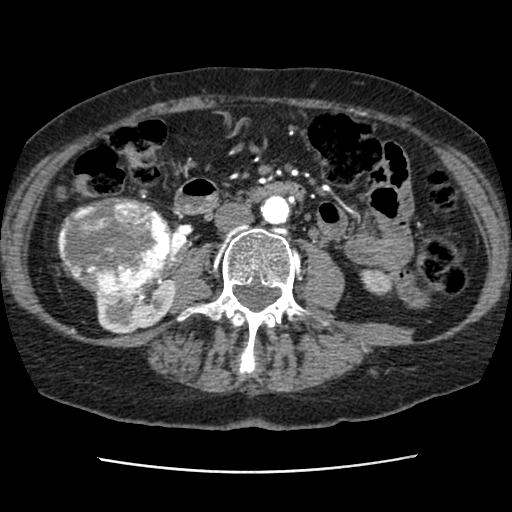
Contrast-enhanced abdominal CT, axial slice 33 of 76 (counted from the lowest slice); tube voltage 120 kVp, convolution kernel STANDARD; slices 2.50 mm thick, 0.586 mm per pixel.
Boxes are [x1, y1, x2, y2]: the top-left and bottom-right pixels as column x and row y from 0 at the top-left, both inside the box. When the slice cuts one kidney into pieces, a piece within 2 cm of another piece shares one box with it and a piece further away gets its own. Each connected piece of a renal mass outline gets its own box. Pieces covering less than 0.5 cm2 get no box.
Three boxes on this slice (two kidney boxes and one renal mass box), listed by box centre from the image's left to its right. (1) Box [57, 197, 170, 299]: right renal mass (outlined area 9,189 px, about 31.5 cm2). (2) Right kidney at [93, 256, 174, 333] (outlined area 2,776 px, about 9.5 cm2). (3) Box [359, 267, 393, 295]: left kidney (outlined area 699 px, about 2.4 cm2).